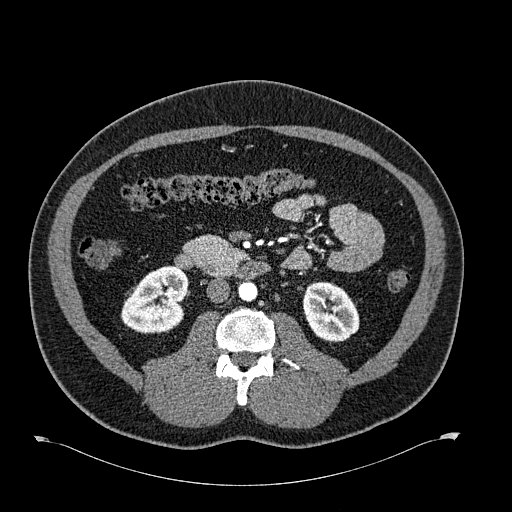
Abdominal CT with intravenous contrast, arterial phase, axial plane, 120 kVp, kernel B30f. Slice 326/723 from the bottom of the scan; thickness 1.00 mm; pixel size 0.895 mm.
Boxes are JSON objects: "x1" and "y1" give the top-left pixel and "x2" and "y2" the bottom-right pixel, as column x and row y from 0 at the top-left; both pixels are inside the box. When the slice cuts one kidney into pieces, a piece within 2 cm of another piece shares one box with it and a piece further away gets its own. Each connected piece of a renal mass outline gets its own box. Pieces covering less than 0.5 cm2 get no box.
Two boxes on this slice (two kidney boxes), listed by box centre from the image's left to its right. (1) Box {"x1": 120, "y1": 265, "x2": 188, "y2": 333}: right kidney (outlined area 3,404 px, about 27.2 cm2). (2) Left kidney at {"x1": 302, "y1": 281, "x2": 359, "y2": 342} (outlined area 2,683 px, about 21.5 cm2).